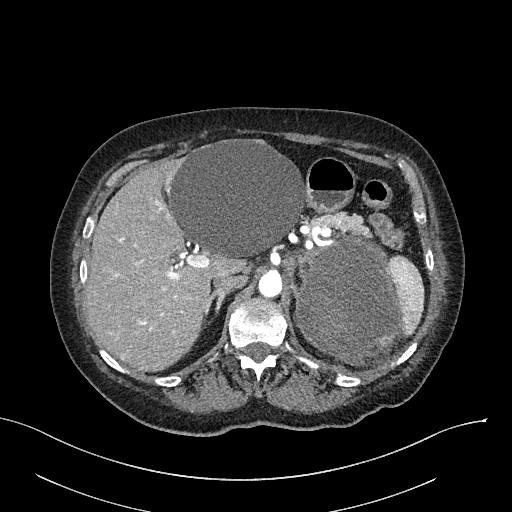
Arterial-phase contrast-enhanced abdominal CT, axial slice 191 of 316 (counted from the lowest slice); tube voltage 100 kVp, convolution kernel I40f; slices 2.00 mm thick, 0.840 mm per pixel.
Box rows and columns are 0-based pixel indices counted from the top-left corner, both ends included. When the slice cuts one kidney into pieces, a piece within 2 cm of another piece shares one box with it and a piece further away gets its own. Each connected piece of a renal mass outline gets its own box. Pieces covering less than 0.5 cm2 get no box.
Box rows 235–363, columns 295–402: left renal mass (outlined area 10,751 px, about 75.8 cm2); no kidney outline appears on this slice, but the same outlined renal mass comes within 1 cm of the kidney on another slice.